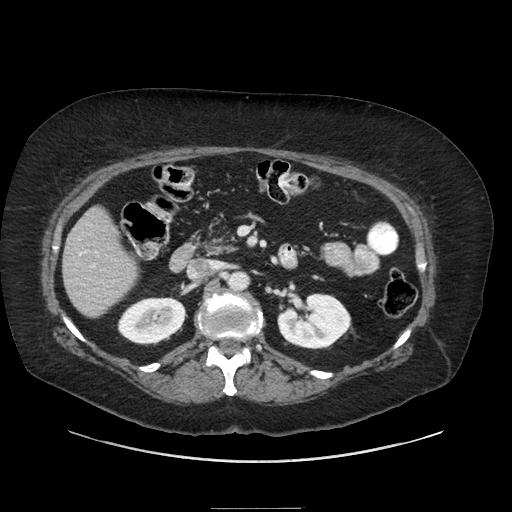
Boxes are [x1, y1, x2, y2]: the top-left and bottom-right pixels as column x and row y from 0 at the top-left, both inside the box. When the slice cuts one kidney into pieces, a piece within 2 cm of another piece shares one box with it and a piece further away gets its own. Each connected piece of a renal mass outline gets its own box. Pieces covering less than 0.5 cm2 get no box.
Contrast-enhanced abdominal CT, axial slice 130 of 186 (counted from the lowest slice); 2.50 mm thick, 0.850 mm per pixel. Two boxes on this slice (two kidney boxes), listed by box centre from the image's left to its right. (1) Right kidney at [117, 297, 185, 345] (outlined area 2,543 px, about 18.4 cm2). (2) Left kidney, box [277, 293, 351, 349] (outlined area 3,159 px, about 22.8 cm2). No renal mass outline on this slice.
Tube voltage 120 kVp; convolution kernel STANDARD.